One axial slice (123 of 206, counting up from the lowest) of a contrast-enhanced abdominal CT acquired with 120 kVp, kernel STANDARD; each pixel is 0.879 mm and the slice is 2.50 mm thick.
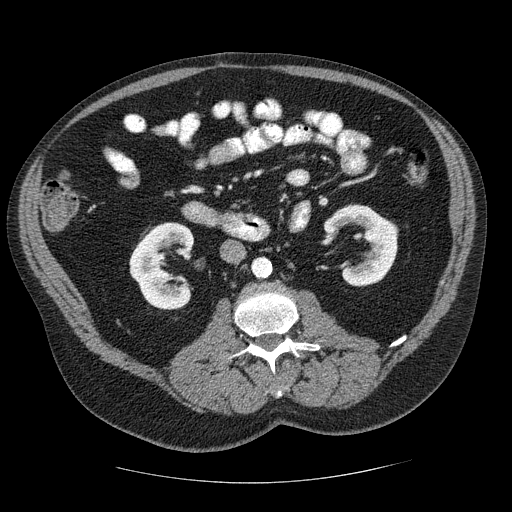
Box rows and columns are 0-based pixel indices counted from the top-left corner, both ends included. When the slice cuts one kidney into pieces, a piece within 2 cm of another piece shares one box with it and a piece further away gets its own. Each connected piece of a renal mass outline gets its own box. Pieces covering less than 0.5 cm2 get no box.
Two kidney boxes on this slice; by box centre, from the image's left to its right: (1) Right kidney, box rows 222–310, columns 129–194 (outlined area 4,059 px, about 31.4 cm2). (2) Left kidney, box rows 203–286, columns 323–398 (outlined area 3,660 px, about 28.3 cm2). No renal mass is outlined on this slice.